Axial slice 7 of 86 of a contrast-enhanced abdominal CT (slice 1 is the lowest), 140 kVp, kernel I44f; 3.00 mm slice thickness and 0.977 mm pixels.
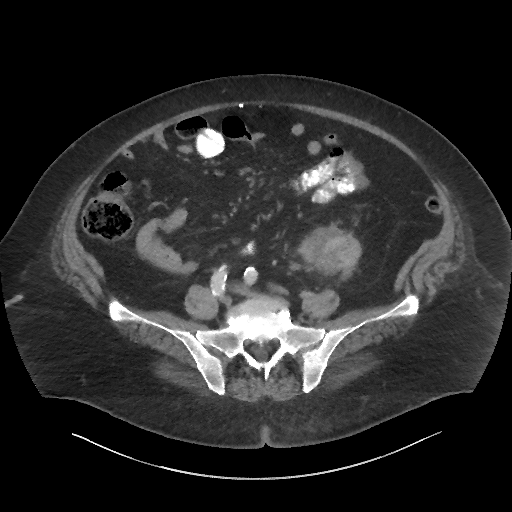
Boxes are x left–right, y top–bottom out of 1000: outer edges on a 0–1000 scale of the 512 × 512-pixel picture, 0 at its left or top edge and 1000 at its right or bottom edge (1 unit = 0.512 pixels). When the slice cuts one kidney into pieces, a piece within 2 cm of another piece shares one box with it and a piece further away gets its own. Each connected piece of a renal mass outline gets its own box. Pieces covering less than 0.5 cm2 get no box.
Left renal mass at x 576–707, y 441–549 out of 1000 (outlined area 2,495 px, about 23.8 cm2); this slice has no kidney outline, though on another slice the same outlined renal mass lies within 1 cm of the kidney.